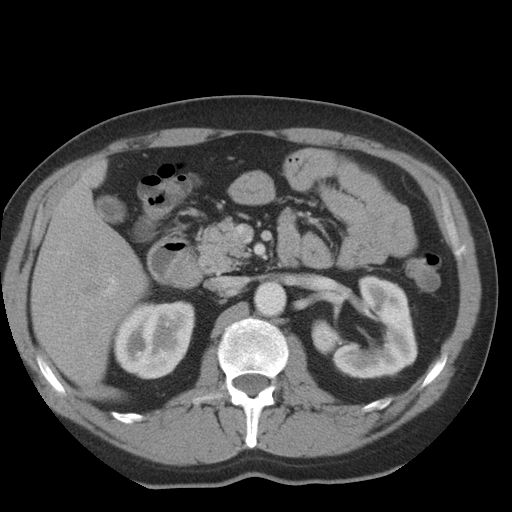
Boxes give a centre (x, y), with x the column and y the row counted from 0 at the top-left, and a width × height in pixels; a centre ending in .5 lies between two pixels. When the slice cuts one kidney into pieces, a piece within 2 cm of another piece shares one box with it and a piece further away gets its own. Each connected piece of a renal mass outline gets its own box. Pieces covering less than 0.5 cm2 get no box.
This is axial slice 19 of 36 (slice 1 is the lowest) of an arterial-phase abdominal CT with contrast; each pixel is 0.703 mm and the slice is 5.00 mm thick. Two boxes on this slice (two kidney boxes), listed by box centre from the image's left to its right. (1) Box centre (154.5, 339.5), 82 × 80 pixels: right kidney (outlined area 4,998 px, about 24.7 cm2). (2) Left kidney, box centre (364, 327), 107 × 105 pixels (outlined area 6,971 px, about 34.5 cm2). This slice carries no renal mass outline.
Acquired at 140 kVp and reconstructed with the STANDARD kernel.